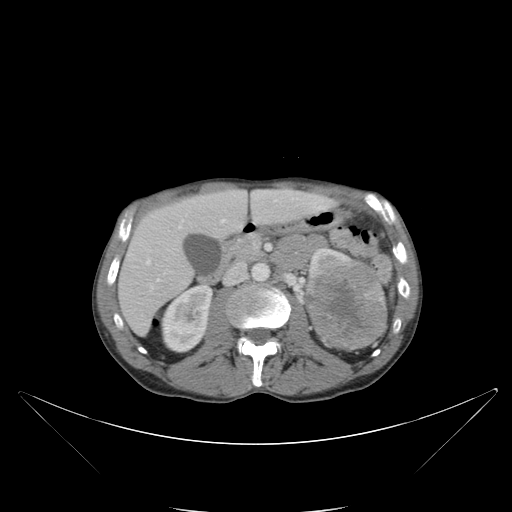
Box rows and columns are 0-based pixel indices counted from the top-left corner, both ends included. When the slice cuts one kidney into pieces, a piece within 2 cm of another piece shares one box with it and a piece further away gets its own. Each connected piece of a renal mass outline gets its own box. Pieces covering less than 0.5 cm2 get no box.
Contrast-enhanced abdominal CT, axial slice 59 of 88 (counted from the lowest slice); 5.00 mm thick, 0.865 mm per pixel. Two kidney boxes and one renal mass box on this slice; by box centre, from the image's left to its right: (1) Right kidney, box rows 284–353, columns 160–213 (outlined area 2,605 px, about 19.5 cm2). (2) Box rows 247–277, columns 307–361: left kidney (outlined area 705 px, about 5.3 cm2). (3) Left renal mass, box rows 259–351, columns 305–387 (outlined area 6,059 px, about 45.4 cm2).
Scan settings: 120 kVp, B reconstruction kernel.